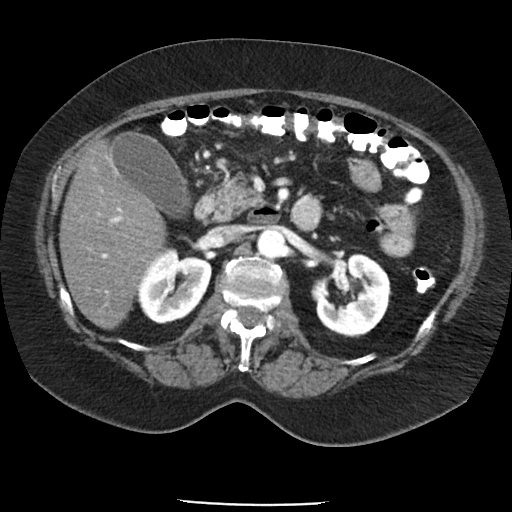
Arterial-phase contrast-enhanced abdominal CT, axial slice 59 of 85 (counted from the lowest slice); tube voltage 120 kVp, convolution kernel FC19; slices 5.00 mm thick, 0.741 mm per pixel.
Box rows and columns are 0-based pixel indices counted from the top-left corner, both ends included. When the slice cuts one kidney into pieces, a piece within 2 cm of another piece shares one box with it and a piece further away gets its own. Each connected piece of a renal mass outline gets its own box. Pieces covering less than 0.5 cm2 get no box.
Boxed on this slice (two kidney boxes), listed by box centre from the image's left to its right: (1) Box rows 247–323, columns 136–211: right kidney (outlined area 4,076 px, about 22.4 cm2). (2) Left kidney at rows 253–337, columns 316–390 (outlined area 4,369 px, about 24.0 cm2). This slice carries no renal mass outline.